One axial slice (30 of 55, counting up from the lowest) of a contrast-enhanced abdominal CT acquired with 120 kVp, kernel B30f; each pixel is 0.908 mm and the slice is 5.00 mm thick.
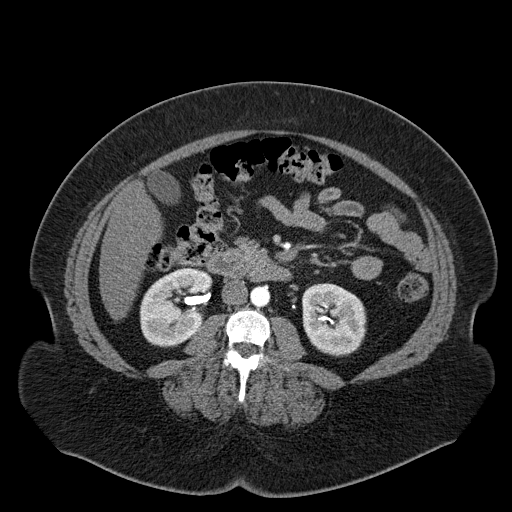
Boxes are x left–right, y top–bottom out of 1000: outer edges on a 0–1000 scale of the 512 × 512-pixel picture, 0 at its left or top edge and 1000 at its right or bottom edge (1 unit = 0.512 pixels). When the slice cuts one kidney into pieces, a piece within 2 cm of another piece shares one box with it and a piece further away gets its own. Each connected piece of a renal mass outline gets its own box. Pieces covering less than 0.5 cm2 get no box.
Two kidney boxes on this slice; by box centre, from the image's left to its right: (1) Right kidney at x 271–418, y 520–680 out of 1000 (outlined area 4,331 px, about 35.7 cm2). (2) Left kidney, box x 590–717, y 553–697 out of 1000 (outlined area 3,843 px, about 31.7 cm2). This slice carries no renal mass outline.